Arterial-phase contrast-enhanced abdominal CT, axial slice 481 of 612 (counted from the lowest slice); tube voltage 120 kVp, convolution kernel I30f; slices 1.00 mm thick, 0.703 mm per pixel.
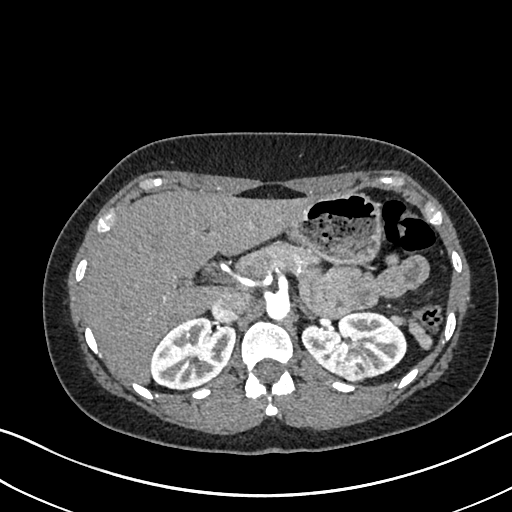
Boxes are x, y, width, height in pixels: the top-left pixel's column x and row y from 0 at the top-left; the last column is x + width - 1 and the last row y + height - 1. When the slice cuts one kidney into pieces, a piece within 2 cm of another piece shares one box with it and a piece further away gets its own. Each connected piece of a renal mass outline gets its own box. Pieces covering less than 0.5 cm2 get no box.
Two kidney boxes and one renal mass box on this slice; by box centre, from the image's left to its right: (1) Right kidney at x 150, y 316, width 86, height 74 (outlined area 4,616 px, about 22.8 cm2). (2) Box x 301, y 311, width 106, height 71: left kidney (outlined area 4,834 px, about 23.9 cm2). (3) Left renal mass at x 342, y 354, width 27, height 28 (outlined area 600 px, about 3.0 cm2).